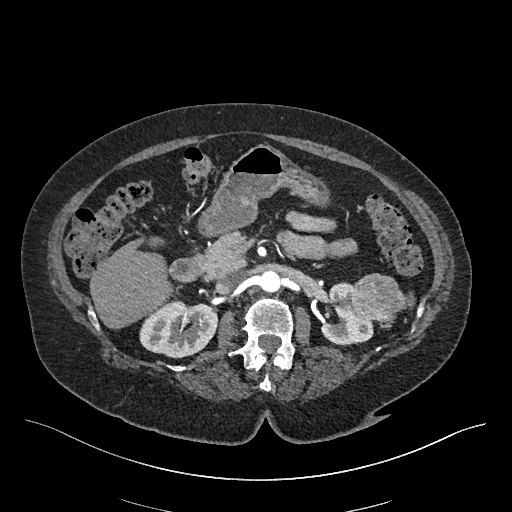
Abdominal CT with intravenous contrast, arterial phase, axial plane, 120 kVp, kernel I26f. Slice 271/548 from the bottom of the scan; thickness 1.00 mm; pixel size 0.852 mm.
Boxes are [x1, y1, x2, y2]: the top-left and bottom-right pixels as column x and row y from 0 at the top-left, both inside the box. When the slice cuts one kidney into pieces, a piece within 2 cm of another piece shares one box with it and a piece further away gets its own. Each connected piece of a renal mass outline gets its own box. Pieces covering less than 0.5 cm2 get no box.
Boxed on this slice (two kidney boxes and one renal mass box), listed by box centre from the image's left to its right: (1) Right kidney at [139, 299, 218, 358] (outlined area 3,490 px, about 25.3 cm2). (2) Left kidney, box [320, 282, 373, 345] (outlined area 1,968 px, about 14.3 cm2). (3) Left renal mass, box [350, 273, 405, 328] (outlined area 2,250 px, about 16.3 cm2).